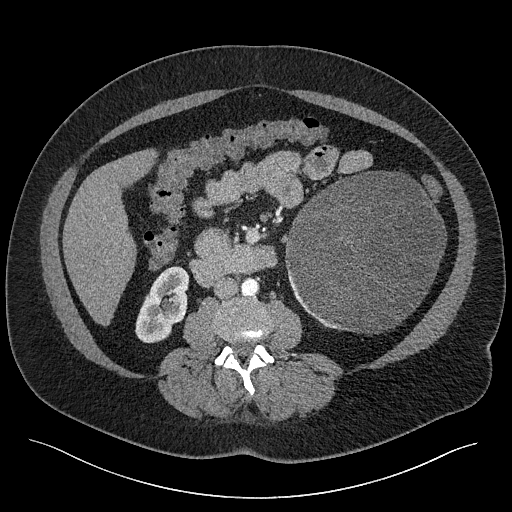
Abdominal CT with intravenous contrast, axial plane, 120 kVp, kernel I40f. Slice 103/301 from the bottom of the scan; thickness 2.00 mm; pixel size 0.859 mm.
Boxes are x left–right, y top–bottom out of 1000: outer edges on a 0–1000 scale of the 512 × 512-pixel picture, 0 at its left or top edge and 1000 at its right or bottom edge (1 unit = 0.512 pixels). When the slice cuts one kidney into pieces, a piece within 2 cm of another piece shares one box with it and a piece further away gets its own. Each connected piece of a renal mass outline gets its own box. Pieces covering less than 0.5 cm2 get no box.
One kidney box and one renal mass box on this slice; by box centre, from the image's left to its right: (1) Box x 264–371, y 520–672 out of 1000: right kidney (outlined area 2,848 px, about 21.0 cm2). (2) Box x 557–873, y 334–652 out of 1000: left renal mass (outlined area 20,208 px, about 149.2 cm2); here it is more than 1 cm from any kidney outline, though on another slice the same outlined renal mass lies within 1 cm of the kidney.